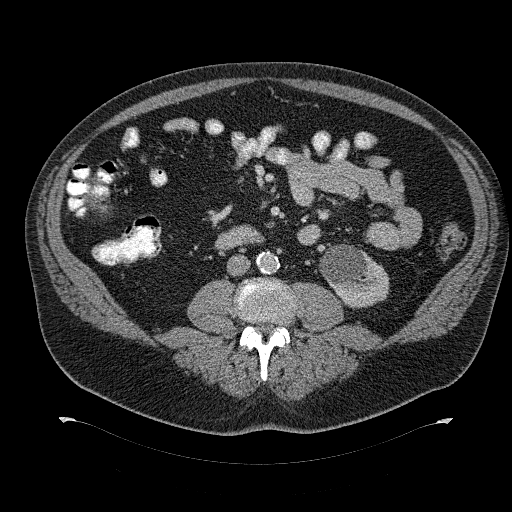
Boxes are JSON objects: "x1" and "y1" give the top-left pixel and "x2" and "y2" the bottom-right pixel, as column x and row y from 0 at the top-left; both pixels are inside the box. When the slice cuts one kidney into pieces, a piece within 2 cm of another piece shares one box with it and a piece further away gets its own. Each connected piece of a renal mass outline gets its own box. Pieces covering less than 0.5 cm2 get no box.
Slice 156/274 of a contrast-enhanced abdominal CT, counting up from the lowest; pixel size 0.977 mm, slice thickness 2.00 mm. Left kidney, box {"x1": 319, "y1": 244, "x2": 389, "y2": 308} (outlined area 3,142 px, about 30.0 cm2). No renal mass outline on this slice.
Scan settings: 120 kVp, B31f reconstruction kernel.